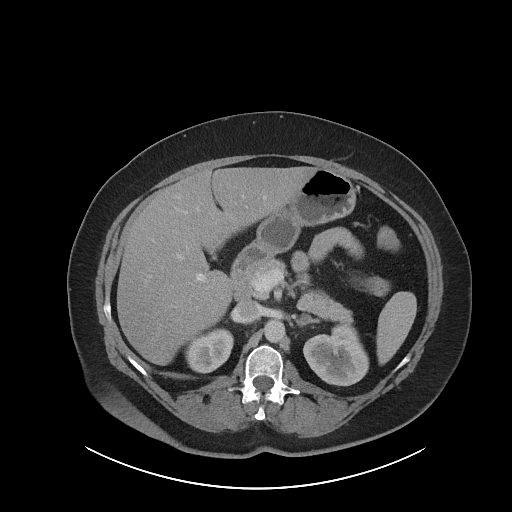
Abdominal CT with intravenous contrast, arterial phase, axial plane, 120 kVp, kernel I40f. Slice 60/86 from the bottom of the scan; thickness 5.00 mm; pixel size 0.977 mm.
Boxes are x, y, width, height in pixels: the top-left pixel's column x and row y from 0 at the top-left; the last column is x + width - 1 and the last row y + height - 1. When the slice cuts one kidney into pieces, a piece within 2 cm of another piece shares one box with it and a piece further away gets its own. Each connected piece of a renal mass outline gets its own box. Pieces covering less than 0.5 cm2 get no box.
Boxed on this slice (two kidney boxes), listed by box centre from the image's left to its right: (1) Box x 185, y 328, width 49, height 46: right kidney (outlined area 1,655 px, about 15.8 cm2). (2) Box x 303, y 323, width 66, height 64: left kidney (outlined area 3,014 px, about 28.7 cm2). No renal mass is outlined on this slice.